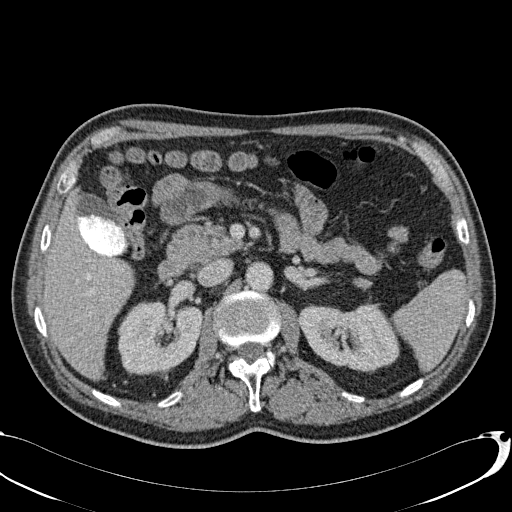
Axial slice 51 of 113 of a contrast-enhanced abdominal CT (slice 1 is the lowest), 120 kVp, kernel B31f; 2.00 mm slice thickness and 0.742 mm pixels.
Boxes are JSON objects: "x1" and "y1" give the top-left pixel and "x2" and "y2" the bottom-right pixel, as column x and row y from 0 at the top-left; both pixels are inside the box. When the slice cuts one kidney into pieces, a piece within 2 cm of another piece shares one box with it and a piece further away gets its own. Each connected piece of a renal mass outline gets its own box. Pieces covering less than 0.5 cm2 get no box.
Two kidney boxes on this slice; by box centre, from the image's left to its right: (1) Right kidney at {"x1": 117, "y1": 299, "x2": 202, "y2": 375} (outlined area 5,132 px, about 28.3 cm2). (2) Box {"x1": 298, "y1": 301, "x2": 399, "y2": 373}: left kidney (outlined area 5,284 px, about 29.1 cm2). No renal mass outline on this slice.